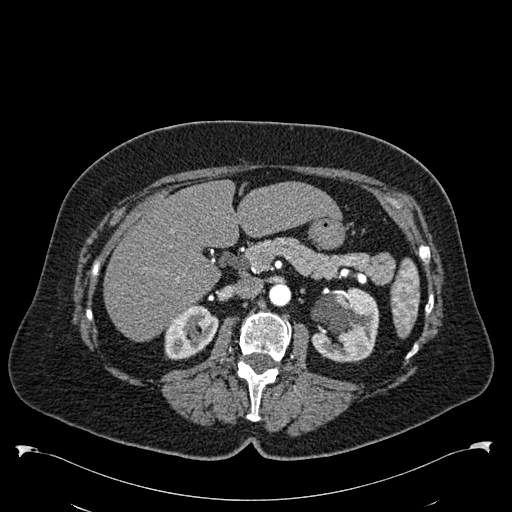
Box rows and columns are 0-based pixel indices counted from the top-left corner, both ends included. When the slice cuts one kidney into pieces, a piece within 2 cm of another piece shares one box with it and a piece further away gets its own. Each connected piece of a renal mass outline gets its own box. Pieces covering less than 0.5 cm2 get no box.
Slice 350/538 of a contrast-enhanced abdominal CT in the arterial phase, counting up from the lowest; pixel size 0.811 mm, slice thickness 1.00 mm. Two kidney boxes on this slice; by box centre, from the image's left to its right: (1) Right kidney, box rows 304–359, columns 164–218 (outlined area 2,112 px, about 13.9 cm2). (2) Left kidney, box rows 287–362, columns 310–379 (outlined area 3,982 px, about 26.2 cm2). No renal mass is outlined on this slice.
Scan settings: 120 kVp, B30f reconstruction kernel.